Arterial-phase contrast-enhanced abdominal CT, axial slice 337 of 527 (counted from the lowest slice); tube voltage 120 kVp, convolution kernel I30f; slices 1.00 mm thick, 0.859 mm per pixel.
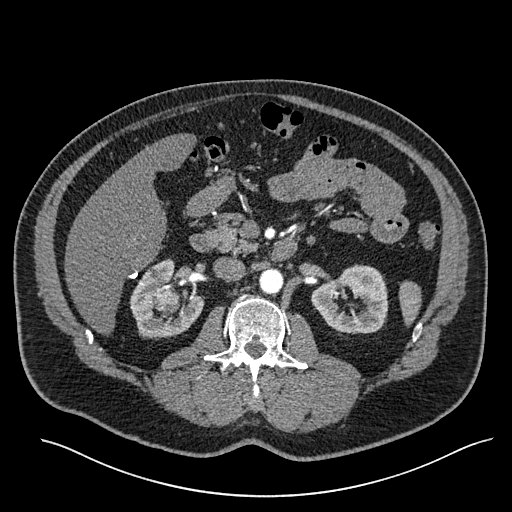
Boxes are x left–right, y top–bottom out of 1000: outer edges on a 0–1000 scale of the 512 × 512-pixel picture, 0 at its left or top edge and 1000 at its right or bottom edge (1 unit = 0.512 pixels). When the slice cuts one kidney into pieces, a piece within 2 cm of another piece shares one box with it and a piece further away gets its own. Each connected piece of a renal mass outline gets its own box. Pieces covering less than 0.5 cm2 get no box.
Three boxes on this slice (two kidney boxes and one renal mass box), listed by box centre from the image's left to its right. (1) Right kidney, box x 252–398, y 506–664 out of 1000 (outlined area 3,572 px, about 26.4 cm2). (2) Box x 303–352, y 561–607 out of 1000: right renal mass (outlined area 498 px, about 3.7 cm2). (3) Left kidney, box x 607–760, y 516–654 out of 1000 (outlined area 3,862 px, about 28.5 cm2).